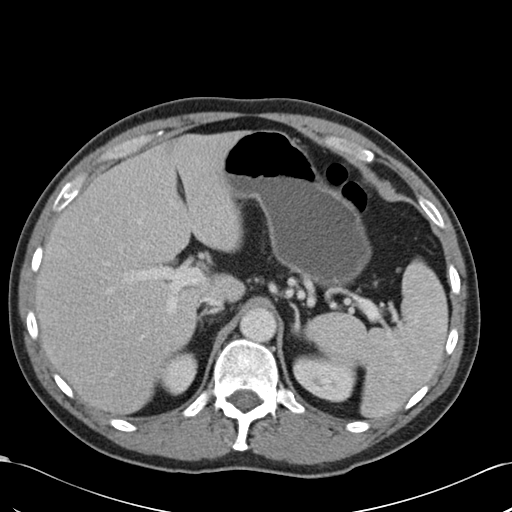
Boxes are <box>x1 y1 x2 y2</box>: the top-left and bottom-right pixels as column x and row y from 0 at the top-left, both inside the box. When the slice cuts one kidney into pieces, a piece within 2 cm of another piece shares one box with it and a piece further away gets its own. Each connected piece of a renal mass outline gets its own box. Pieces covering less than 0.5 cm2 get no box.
This is axial slice 77 of 99 (slice 1 is the lowest) of an arterial-phase abdominal CT with contrast; each pixel is 0.693 mm and the slice is 5.00 mm thick. Two boxes on this slice (two kidney boxes), listed by box centre from the image's left to its right. (1) At <box>160 352 197 395</box>: right kidney (outlined area 1,143 px, about 5.5 cm2). (2) Left kidney: <box>293 354 356 402</box> (outlined area 2,284 px, about 11.0 cm2). This slice carries no renal mass outline.
Acquired at 120 kVp and reconstructed with the B30f kernel.